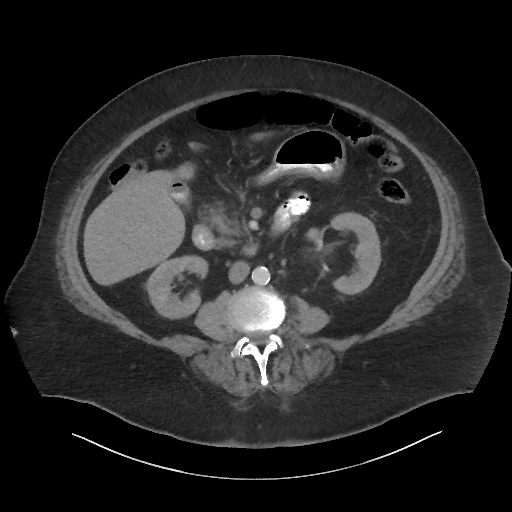
Contrast-enhanced abdominal CT, axial slice 29 of 86 (counted from the lowest slice); tube voltage 140 kVp, convolution kernel I44f; slices 3.00 mm thick, 0.977 mm per pixel.
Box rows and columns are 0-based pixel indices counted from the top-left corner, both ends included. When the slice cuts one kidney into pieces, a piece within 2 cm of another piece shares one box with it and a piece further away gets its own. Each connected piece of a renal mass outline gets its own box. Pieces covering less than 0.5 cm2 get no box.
Two boxes on this slice (two kidney boxes), listed by box centre from the image's left to its right. (1) Box rows 255–319, columns 144–207: right kidney (outlined area 2,755 px, about 26.3 cm2). (2) Left kidney, box rows 212–294, columns 332–380 (outlined area 2,604 px, about 24.8 cm2). This slice carries no renal mass outline.